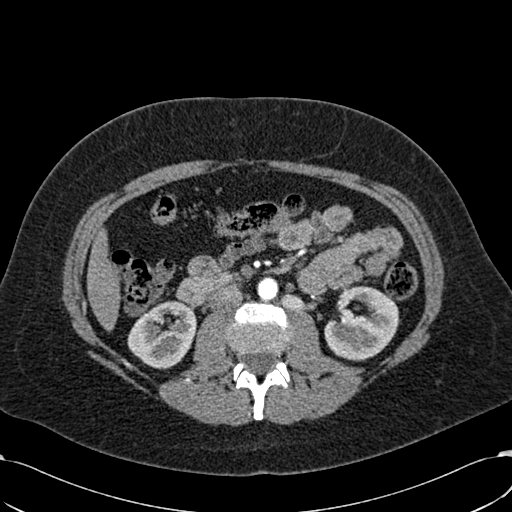
Axial slice 323 of 532 of a contrast-enhanced abdominal CT in the arterial phase (slice 1 is the lowest), 120 kVp, kernel B30f; 1.00 mm slice thickness and 0.713 mm pixels.
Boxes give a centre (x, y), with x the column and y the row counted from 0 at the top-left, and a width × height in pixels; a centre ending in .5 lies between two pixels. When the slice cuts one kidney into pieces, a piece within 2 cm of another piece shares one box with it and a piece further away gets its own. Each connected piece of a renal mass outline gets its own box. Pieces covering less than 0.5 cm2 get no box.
Boxed on this slice (two kidney boxes), listed by box centre from the image's left to its right: (1) Right kidney in a box with centre (161.5, 335), 70 × 69 pixels (outlined area 3,434 px, about 17.5 cm2). (2) Left kidney in a box with centre (361.5, 323.5), 76 × 76 pixels (outlined area 4,036 px, about 20.5 cm2). This slice carries no renal mass outline.